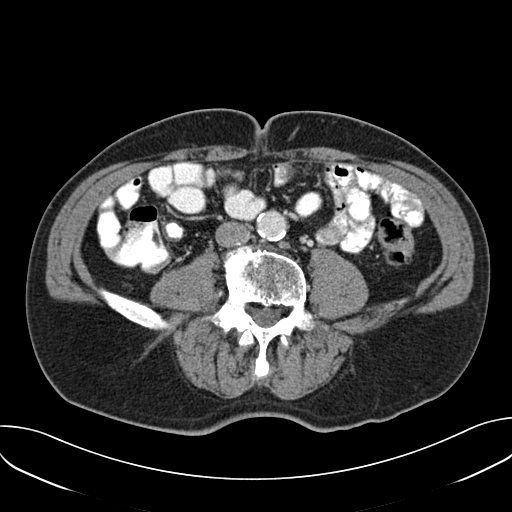
One axial slice (76 of 157, counting up from the lowest) of an arterial-phase abdominal CT acquired with 120 kVp, kernel B30f; each pixel is 0.742 mm and the slice is 3.00 mm thick.
Neither a kidney nor a renal mass is outlined here. Only kidneys and renal masses are outlined anywhere in this scan; other structures are never outlined.